One axial slice (59 of 110, counting up from the lowest) of an arterial-phase abdominal CT acquired with 130 kVp, kernel B30s; each pixel is 0.836 mm and the slice is 5.00 mm thick.
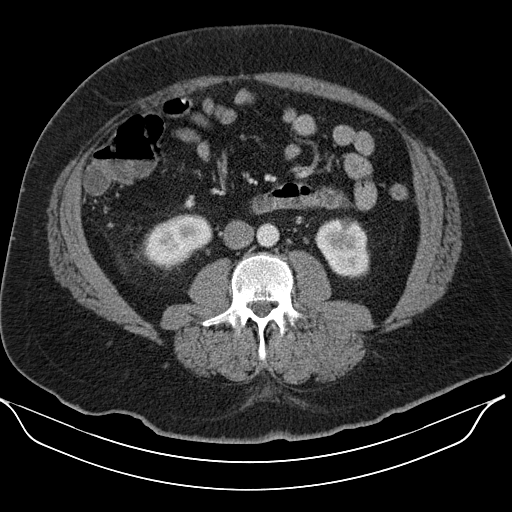
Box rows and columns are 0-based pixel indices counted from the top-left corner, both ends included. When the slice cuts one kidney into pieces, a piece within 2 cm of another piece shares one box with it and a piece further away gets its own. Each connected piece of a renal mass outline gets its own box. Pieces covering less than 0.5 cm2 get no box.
Two kidney boxes on this slice; by box centre, from the image's left to its right: (1) Right kidney, box rows 215–266, columns 145–212 (outlined area 2,487 px, about 17.4 cm2). (2) Box rows 218–278, columns 315–369: left kidney (outlined area 2,541 px, about 17.8 cm2). This slice carries no renal mass outline.